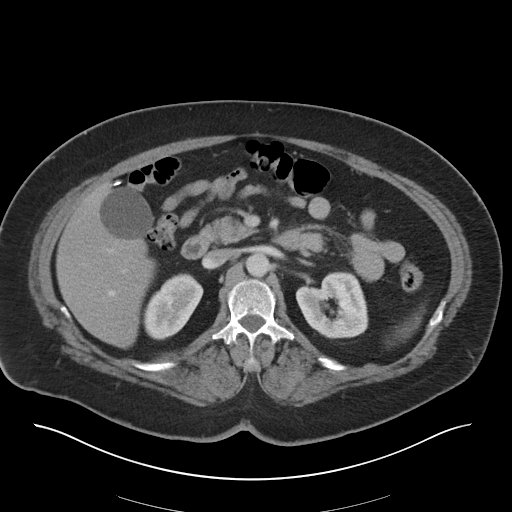
One axial slice (21 of 36, counting up from the lowest) of an arterial-phase abdominal CT acquired with 140 kVp, kernel I30f; each pixel is 0.906 mm and the slice is 5.00 mm thick.
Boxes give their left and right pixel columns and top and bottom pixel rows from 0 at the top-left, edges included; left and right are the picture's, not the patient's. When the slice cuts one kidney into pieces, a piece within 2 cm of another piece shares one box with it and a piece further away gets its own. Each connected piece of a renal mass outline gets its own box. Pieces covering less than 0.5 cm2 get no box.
Two boxes on this slice (two kidney boxes), listed by box centre from the image's left to its right. (1) Right kidney in the box with left 141, top 273, right 203, bottom 340 (outlined area 2,707 px, about 22.2 cm2). (2) Left kidney, the box with left 295, top 271, right 368, bottom 338 (outlined area 3,632 px, about 29.8 cm2). No renal mass outline on this slice.